Contrast-enhanced abdominal CT, axial slice 46 of 93 (counted from the lowest slice); tube voltage 120 kVp, convolution kernel B30f; slices 5.00 mm thick, 0.938 mm per pixel.
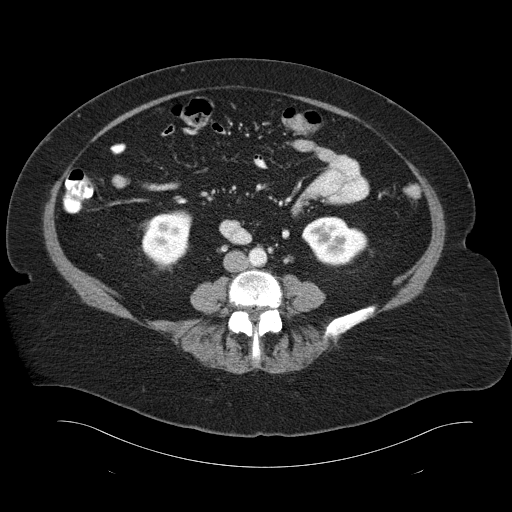
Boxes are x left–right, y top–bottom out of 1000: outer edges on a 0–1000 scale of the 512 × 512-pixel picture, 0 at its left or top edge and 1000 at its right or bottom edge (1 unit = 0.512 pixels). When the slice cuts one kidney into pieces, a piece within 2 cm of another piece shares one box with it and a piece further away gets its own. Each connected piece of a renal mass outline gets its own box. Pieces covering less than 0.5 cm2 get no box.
Two kidney boxes on this slice; by box centre, from the image's left to its right: (1) Right kidney at x 275–377, y 410–531 out of 1000 (outlined area 2,348 px, about 20.6 cm2). (2) Left kidney, box x 588–719, y 422–521 out of 1000 (outlined area 2,384 px, about 21.0 cm2). No renal mass outline on this slice.